Abdominal CT with intravenous contrast, axial plane, 120 kVp, kernel I41f. Slice 119/153 from the bottom of the scan; thickness 3.00 mm; pixel size 0.893 mm.
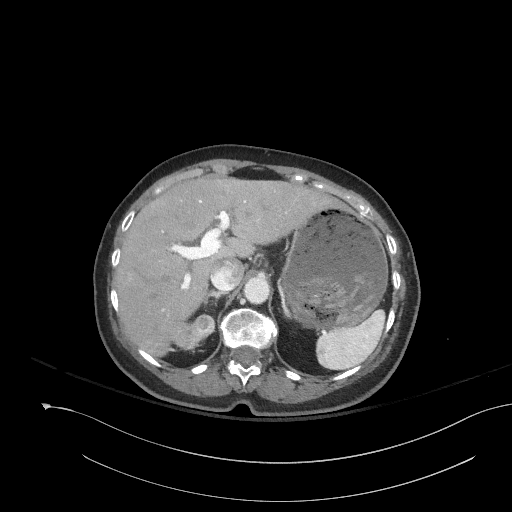
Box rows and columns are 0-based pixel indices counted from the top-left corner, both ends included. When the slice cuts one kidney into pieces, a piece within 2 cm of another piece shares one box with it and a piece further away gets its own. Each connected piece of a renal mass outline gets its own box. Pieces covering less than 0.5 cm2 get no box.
Right renal mass at rows 315–350, columns 173–214 (outlined area 897 px, about 7.1 cm2); this slice has no kidney outline, though on another slice the same outlined renal mass lies within 1 cm of the kidney.